One axial slice (126 of 316, counting up from the lowest) of an arterial-phase abdominal CT acquired with 100 kVp, kernel I40f; each pixel is 0.840 mm and the slice is 2.00 mm thick.
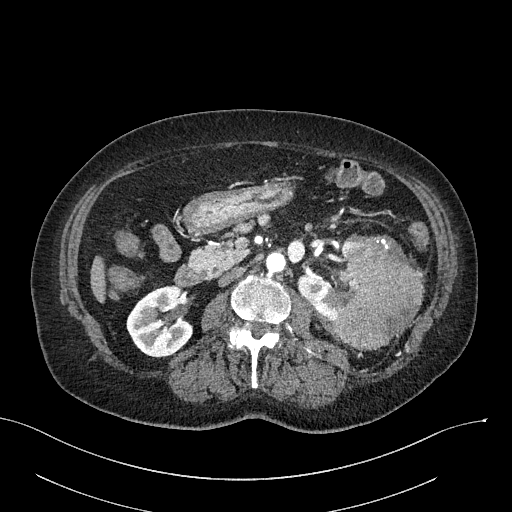
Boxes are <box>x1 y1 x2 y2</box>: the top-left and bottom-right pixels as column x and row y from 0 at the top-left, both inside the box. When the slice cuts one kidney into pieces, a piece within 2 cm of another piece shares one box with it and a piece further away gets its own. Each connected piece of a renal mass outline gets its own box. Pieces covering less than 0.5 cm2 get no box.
Three boxes on this slice (two kidney boxes and one renal mass box), listed by box centre from the image's left to its right. (1) At <box>126 285 193 357</box>: right kidney (outlined area 3,539 px, about 25.0 cm2). (2) Left kidney at <box>297 235 358 322</box> (outlined area 2,633 px, about 18.6 cm2). (3) Left renal mass: <box>332 235 424 348</box> (outlined area 7,336 px, about 51.7 cm2).